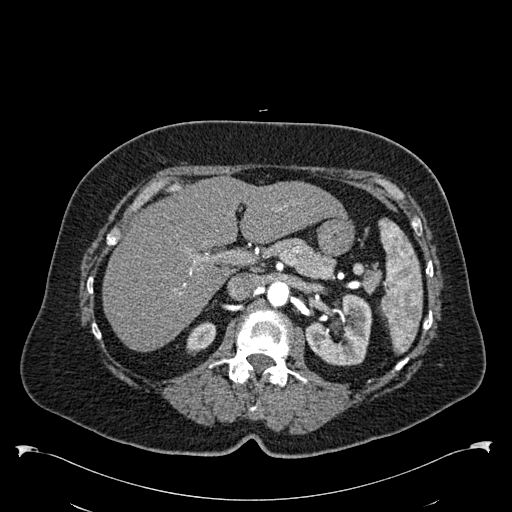
Abdominal CT with intravenous contrast, arterial phase, axial plane, 120 kVp, kernel B30f. Slice 379/538 from the bottom of the scan; thickness 1.00 mm; pixel size 0.811 mm.
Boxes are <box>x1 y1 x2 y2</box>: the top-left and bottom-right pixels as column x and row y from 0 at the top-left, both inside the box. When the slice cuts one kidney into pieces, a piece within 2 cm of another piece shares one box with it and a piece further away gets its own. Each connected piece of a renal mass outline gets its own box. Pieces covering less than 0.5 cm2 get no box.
Boxed on this slice (two kidney boxes), listed by box centre from the image's left to its right: (1) Right kidney: <box>186 321 216 355</box> (outlined area 696 px, about 4.6 cm2). (2) Left kidney: <box>304 294 372 366</box> (outlined area 3,431 px, about 22.5 cm2). This slice carries no renal mass outline.